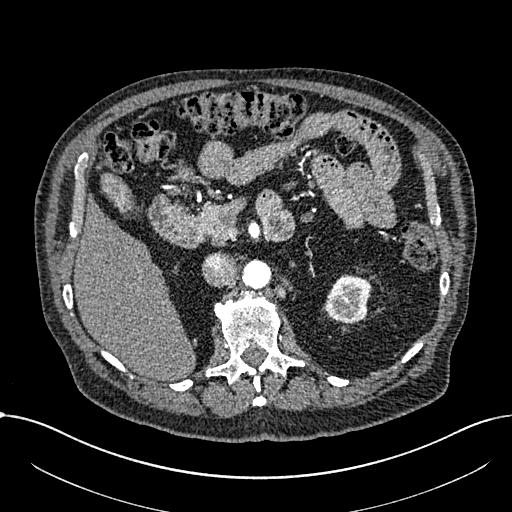
Arterial-phase contrast-enhanced abdominal CT, axial slice 447 of 1059 (counted from the lowest slice); tube voltage 100 kVp, convolution kernel I30f; slices 1.00 mm thick, 0.811 mm per pixel.
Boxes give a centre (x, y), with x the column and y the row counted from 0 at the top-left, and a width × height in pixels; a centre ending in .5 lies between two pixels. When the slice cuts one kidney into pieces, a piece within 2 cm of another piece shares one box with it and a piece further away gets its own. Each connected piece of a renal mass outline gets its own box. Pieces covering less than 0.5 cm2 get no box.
Left part of the midline-crossing kidney, box centre (347.5, 299), 50 × 49 pixels (outlined area 1,806 px, about 11.9 cm2). No renal mass is outlined on this slice.